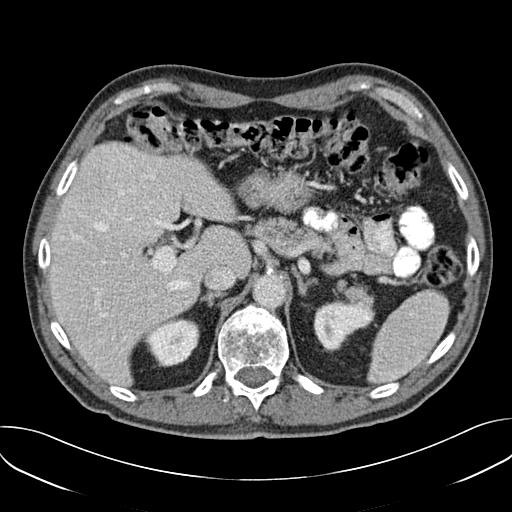
Arterial-phase contrast-enhanced abdominal CT, axial slice 120 of 157 (counted from the lowest slice); tube voltage 120 kVp, convolution kernel B30f; slices 3.00 mm thick, 0.742 mm per pixel.
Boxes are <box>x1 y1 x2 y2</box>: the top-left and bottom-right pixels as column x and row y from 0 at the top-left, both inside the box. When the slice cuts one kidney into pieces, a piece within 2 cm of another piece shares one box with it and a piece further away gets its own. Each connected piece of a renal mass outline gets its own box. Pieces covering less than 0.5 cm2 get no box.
Boxed on this slice (two kidney boxes), listed by box centre from the image's left to its right: (1) Right kidney at <box>144 317 199 367</box> (outlined area 1,999 px, about 11.0 cm2). (2) Left kidney: <box>313 300 374 350</box> (outlined area 2,116 px, about 11.7 cm2). No renal mass outline on this slice.